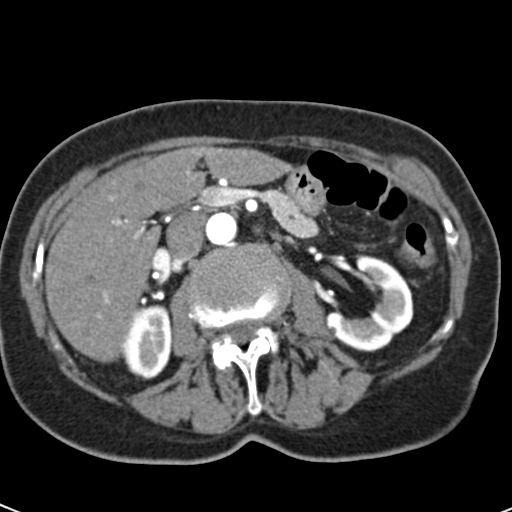
Axial slice 32 of 53 of a contrast-enhanced abdominal CT in the arterial phase (slice 1 is the lowest), 120 kVp, kernel B30f; 3.00 mm slice thickness and 0.547 mm pixels.
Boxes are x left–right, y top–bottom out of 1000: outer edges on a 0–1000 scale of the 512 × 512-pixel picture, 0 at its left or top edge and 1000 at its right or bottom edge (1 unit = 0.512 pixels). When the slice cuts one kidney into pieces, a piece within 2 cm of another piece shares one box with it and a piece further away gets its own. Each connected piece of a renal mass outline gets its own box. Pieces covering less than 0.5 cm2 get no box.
Two boxes on this slice (two kidney boxes), listed by box centre from the image's left to its right. (1) Right kidney, box x 236–338, y 594–742 out of 1000 (outlined area 2,985 px, about 8.9 cm2). (2) Box x 633–809, y 498–688 out of 1000: left kidney (outlined area 4,779 px, about 14.3 cm2). No renal mass outline on this slice.